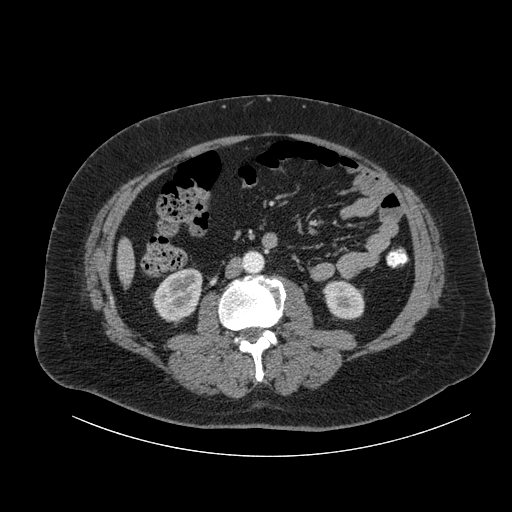
Axial slice 33 of 105 of a contrast-enhanced abdominal CT (slice 1 is the lowest), 120 kVp, kernel B; 3.00 mm slice thickness and 0.977 mm pixels.
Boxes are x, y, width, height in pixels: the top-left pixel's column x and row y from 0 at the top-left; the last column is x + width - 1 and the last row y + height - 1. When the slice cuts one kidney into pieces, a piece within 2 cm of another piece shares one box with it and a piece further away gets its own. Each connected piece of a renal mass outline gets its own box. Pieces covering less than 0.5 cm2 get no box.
Two boxes on this slice (two kidney boxes), listed by box centre from the image's left to its right. (1) Box x 152, y 268, width 51, height 55: right kidney (outlined area 2,036 px, about 19.4 cm2). (2) Box x 322, y 280, width 43, height 40: left kidney (outlined area 1,328 px, about 12.7 cm2). This slice carries no renal mass outline.